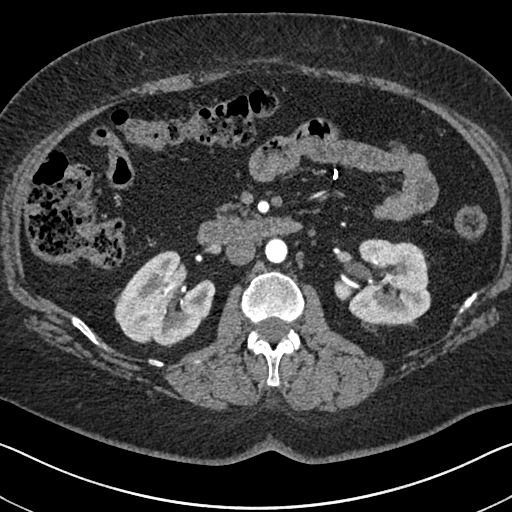
Abdominal CT with intravenous contrast, arterial phase, axial plane, 140 kVp, kernel I30f. Slice 394/591 from the bottom of the scan; thickness 1.00 mm; pixel size 0.703 mm.
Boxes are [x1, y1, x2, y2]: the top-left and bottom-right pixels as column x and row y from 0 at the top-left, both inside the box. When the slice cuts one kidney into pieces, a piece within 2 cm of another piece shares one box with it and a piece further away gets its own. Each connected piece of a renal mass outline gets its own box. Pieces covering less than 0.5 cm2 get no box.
Two kidney boxes on this slice; by box centre, from the image's left to its right: (1) Right kidney, box [114, 250, 215, 347] (outlined area 6,456 px, about 31.9 cm2). (2) Box [334, 238, 431, 326]: left kidney (outlined area 6,058 px, about 29.9 cm2). No renal mass is outlined on this slice.